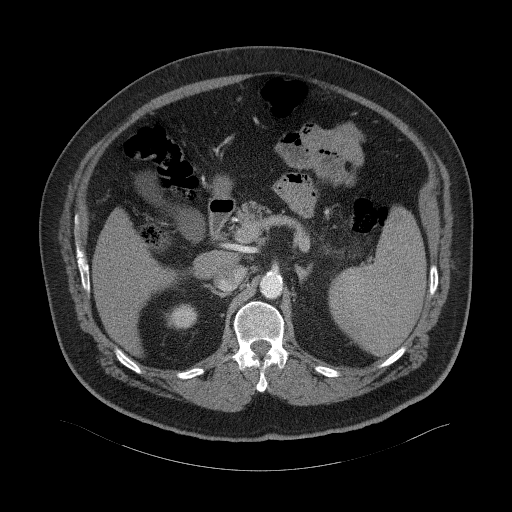
Axial slice 44 of 94 of a contrast-enhanced abdominal CT (slice 1 is the lowest), 120 kVp, kernel B41f; 3.00 mm slice thickness and 0.977 mm pixels.
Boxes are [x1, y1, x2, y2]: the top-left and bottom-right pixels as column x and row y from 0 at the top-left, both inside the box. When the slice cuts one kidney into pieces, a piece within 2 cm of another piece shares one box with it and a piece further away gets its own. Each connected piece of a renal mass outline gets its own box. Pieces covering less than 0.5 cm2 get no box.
Right kidney, box [166, 304, 197, 329] (outlined area 630 px, about 6.0 cm2). No renal mass outline on this slice.